Axial slice 32 of 76 of a contrast-enhanced abdominal CT (slice 1 is the lowest), 120 kVp, kernel B; 3.00 mm slice thickness and 0.684 mm pixels.
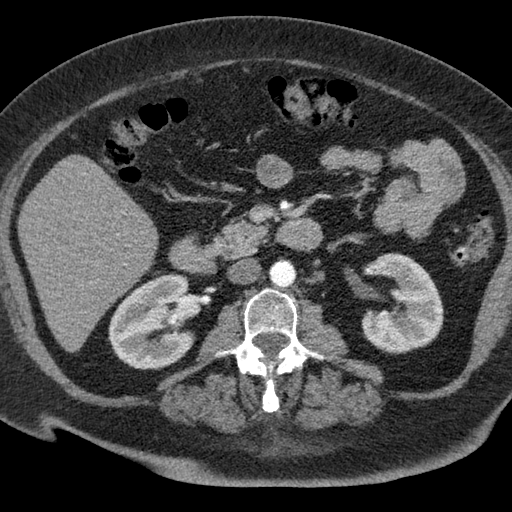
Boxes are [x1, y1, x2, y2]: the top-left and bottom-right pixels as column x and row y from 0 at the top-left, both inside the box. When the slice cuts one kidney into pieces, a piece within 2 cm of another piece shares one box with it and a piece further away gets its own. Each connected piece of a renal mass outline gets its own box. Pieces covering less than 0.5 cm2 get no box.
Boxed on this slice (two kidney boxes), listed by box centre from the image's left to its right: (1) Right kidney at [108, 273, 195, 369] (outlined area 6,327 px, about 29.6 cm2). (2) Box [361, 253, 443, 353]: left kidney (outlined area 6,006 px, about 28.1 cm2). No renal mass is outlined on this slice.